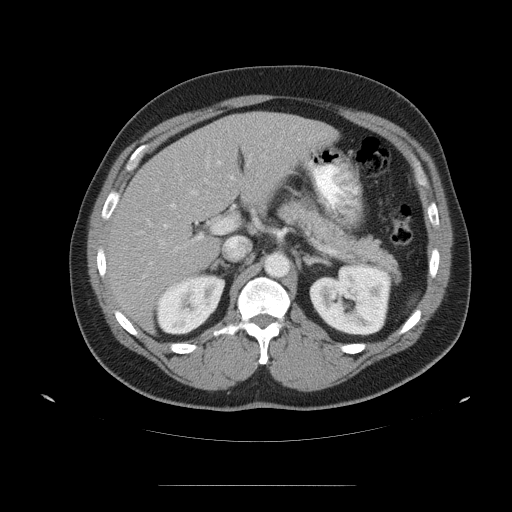
Axial slice 75 of 99 of a contrast-enhanced abdominal CT (slice 1 is the lowest), 120 kVp, kernel STANDARD; 5.00 mm slice thickness and 0.938 mm pixels.
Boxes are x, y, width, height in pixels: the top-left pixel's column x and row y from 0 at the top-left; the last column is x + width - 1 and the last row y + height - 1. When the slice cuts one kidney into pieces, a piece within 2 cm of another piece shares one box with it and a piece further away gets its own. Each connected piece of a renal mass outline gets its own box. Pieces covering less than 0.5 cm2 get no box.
Two kidney boxes on this slice; by box centre, from the image's left to its right: (1) Box x 154, y 274, width 72, height 62: right kidney (outlined area 3,131 px, about 27.5 cm2). (2) Left kidney at x 309, y 264, width 87, height 72 (outlined area 4,614 px, about 40.6 cm2). No renal mass is outlined on this slice.